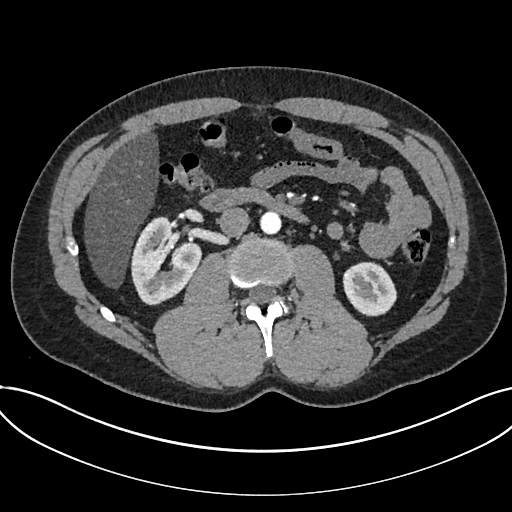
One axial slice (387 of 735, counting up from the lowest) of an arterial-phase abdominal CT acquired with 120 kVp, kernel I30f; each pixel is 0.789 mm and the slice is 1.00 mm thick.
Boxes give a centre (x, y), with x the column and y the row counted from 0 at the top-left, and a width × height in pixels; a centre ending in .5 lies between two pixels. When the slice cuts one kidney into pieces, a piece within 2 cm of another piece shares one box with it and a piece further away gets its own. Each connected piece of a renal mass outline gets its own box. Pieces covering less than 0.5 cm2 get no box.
Two boxes on this slice (two kidney boxes), listed by box centre from the image's left to its right. (1) Box centre (166, 260.5), 71 × 90 pixels: kidney (outlined area 4,345 px, about 27.1 cm2). (2) Kidney, box centre (369.5, 289), 56 × 55 pixels (outlined area 2,287 px, about 14.2 cm2). This slice carries no renal mass outline.